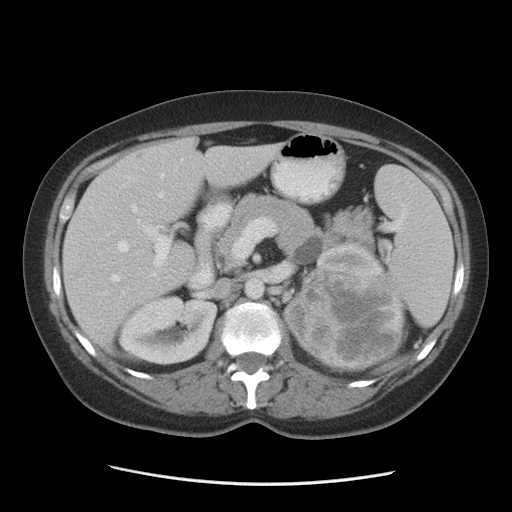
One axial slice (59 of 84, counting up from the lowest) of a contrast-enhanced abdominal CT acquired with 140 kVp, kernel STANDARD; each pixel is 0.717 mm and the slice is 5.00 mm thick.
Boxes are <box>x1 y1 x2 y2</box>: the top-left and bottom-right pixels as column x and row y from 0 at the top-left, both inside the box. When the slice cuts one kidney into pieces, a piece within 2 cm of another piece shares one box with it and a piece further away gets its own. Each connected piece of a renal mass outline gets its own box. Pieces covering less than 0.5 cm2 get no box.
Three boxes on this slice (two kidney boxes and one renal mass box), listed by box centre from the image's left to its right. (1) Right kidney: <box>118 294 217 365</box> (outlined area 5,274 px, about 27.1 cm2). (2) Left kidney at <box>282 241 384 345</box> (outlined area 1,996 px, about 10.3 cm2). (3) Left renal mass at <box>298 264 406 371</box> (outlined area 9,435 px, about 48.5 cm2).